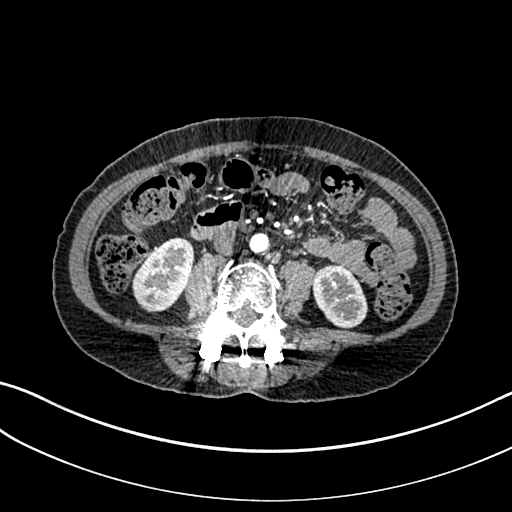
One axial slice (88 of 325, counting up from the lowest) of an arterial-phase abdominal CT acquired with 100 kVp, kernel I30f; each pixel is 0.703 mm and the slice is 1.00 mm thick.
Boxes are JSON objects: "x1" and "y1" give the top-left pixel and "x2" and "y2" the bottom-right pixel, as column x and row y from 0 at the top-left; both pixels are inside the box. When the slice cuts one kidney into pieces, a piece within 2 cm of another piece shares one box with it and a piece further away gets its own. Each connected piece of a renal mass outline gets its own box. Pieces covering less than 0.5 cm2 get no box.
Boxed on this slice (two kidney boxes), listed by box centre from the image's left to its right: (1) Right kidney, box {"x1": 132, "y1": 237, "x2": 194, "y2": 312} (outlined area 3,265 px, about 16.1 cm2). (2) Left kidney, box {"x1": 312, "y1": 264, "x2": 367, "y2": 328} (outlined area 2,652 px, about 13.1 cm2). No renal mass is outlined on this slice.